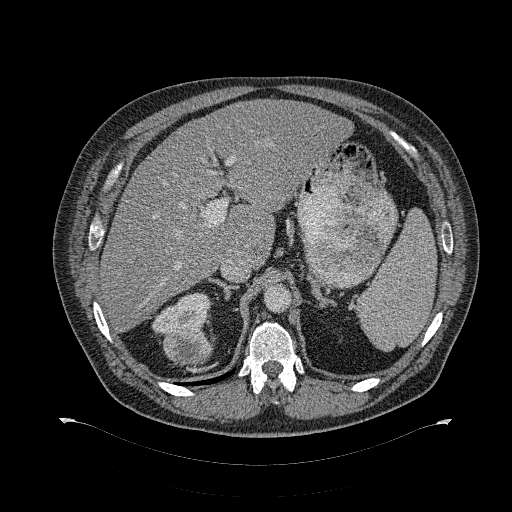
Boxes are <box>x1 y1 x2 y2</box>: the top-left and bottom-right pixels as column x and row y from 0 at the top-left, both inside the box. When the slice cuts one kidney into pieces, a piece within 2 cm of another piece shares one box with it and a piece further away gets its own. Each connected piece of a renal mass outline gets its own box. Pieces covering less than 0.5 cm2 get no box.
This is axial slice 221 of 274 (slice 1 is the lowest) of an abdominal CT with contrast; each pixel is 0.977 mm and the slice is 2.00 mm thick. Boxed on this slice (one kidney box and one renal mass box), listed by box centre from the image's left to its right: (1) Right kidney at <box>151 292 210 335</box> (outlined area 1,606 px, about 15.3 cm2). (2) Right renal mass at <box>163 328 212 364</box> (outlined area 1,456 px, about 13.9 cm2).
Scan settings: 120 kVp, B31f reconstruction kernel.